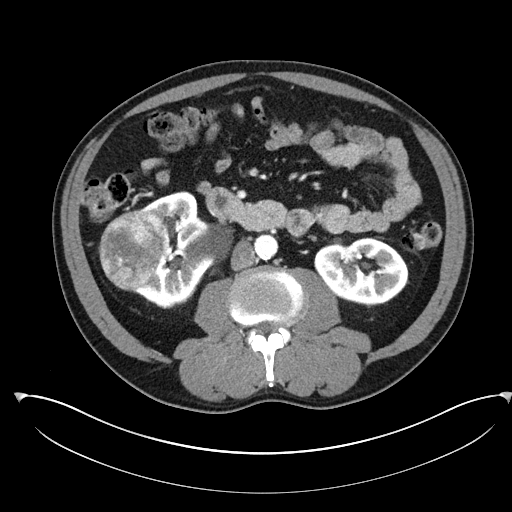
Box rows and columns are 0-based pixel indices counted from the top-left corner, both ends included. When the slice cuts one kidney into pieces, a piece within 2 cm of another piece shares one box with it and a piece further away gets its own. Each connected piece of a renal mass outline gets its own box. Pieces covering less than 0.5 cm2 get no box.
Arterial-phase contrast-enhanced abdominal CT, axial slice 126 of 302 (counted from the lowest slice); 5.00 mm thick, 0.875 mm per pixel. Three boxes on this slice (two kidney boxes and one renal mass box), listed by box centre from the image's left to its right. (1) Box rows 210–291, columns 98–164: right renal mass (outlined area 4,061 px, about 31.1 cm2). (2) Right kidney, box rows 191–308, columns 131–233 (outlined area 6,256 px, about 47.9 cm2). (3) Box rows 237–307, columns 314–408: left kidney (outlined area 4,812 px, about 36.8 cm2).
Tube voltage 100 kVp; convolution kernel I30f.